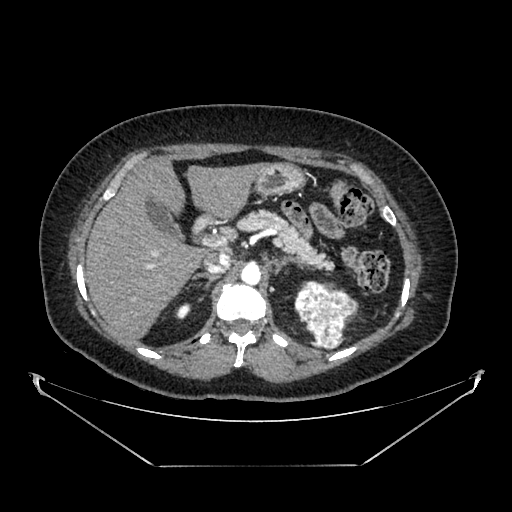
Axial slice 267 of 383 of a contrast-enhanced abdominal CT in the arterial phase (slice 1 is the lowest), 100 kVp, kernel SOFT; 1.25 mm slice thickness and 0.898 mm pixels.
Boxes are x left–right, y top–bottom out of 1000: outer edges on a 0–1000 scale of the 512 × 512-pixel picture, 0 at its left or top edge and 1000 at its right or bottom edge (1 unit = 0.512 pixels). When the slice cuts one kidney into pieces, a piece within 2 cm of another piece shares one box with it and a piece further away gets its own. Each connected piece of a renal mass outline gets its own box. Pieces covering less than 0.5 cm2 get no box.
Boxed on this slice (one kidney box and one renal mass box), listed by box centre from the image's left to its right: (1) Right kidney, box x 344–375, y 592–625 out of 1000 (outlined area 187 px, about 1.5 cm2). (2) Left renal mass at x 574–699, y 549–684 out of 1000 (outlined area 2,992 px, about 24.2 cm2); on this slice it lies more than 1 cm from any kidney outline, but the same outlined renal mass comes within 1 cm of the kidney on another slice.